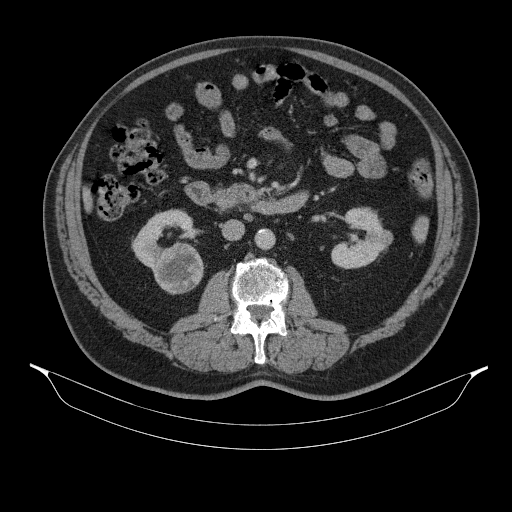
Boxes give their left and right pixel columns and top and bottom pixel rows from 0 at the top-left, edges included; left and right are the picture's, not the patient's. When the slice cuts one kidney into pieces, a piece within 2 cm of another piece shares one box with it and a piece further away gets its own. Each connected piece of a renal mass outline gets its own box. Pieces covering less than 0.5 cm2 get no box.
This is axial slice 191 of 314 (slice 1 is the lowest) of an abdominal CT with contrast; each pixel is 0.934 mm and the slice is 2.50 mm thick. Two kidney boxes and one renal mass box on this slice; by box centre, from the image's left to its right: (1) Right kidney, the box with left 132, top 209, right 193, bottom 270 (outlined area 1,843 px, about 16.1 cm2). (2) Right renal mass, the box with left 153, top 242, right 204, bottom 294 (outlined area 2,060 px, about 18.0 cm2). (3) Left kidney, the box with left 331, top 207, right 393, bottom 268 (outlined area 2,439 px, about 21.3 cm2).
Tube voltage 130 kVp; convolution kernel B31s.